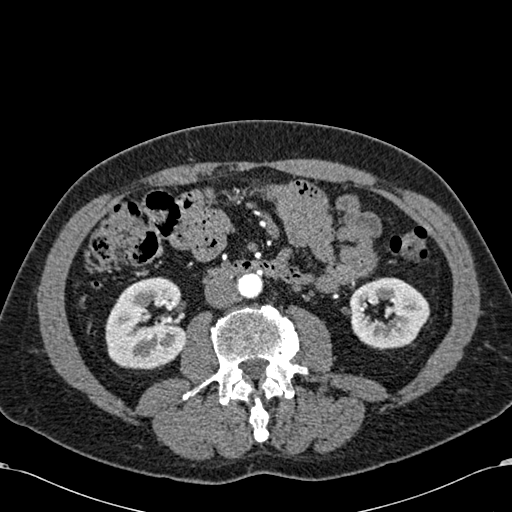
One axial slice (288 of 581, counting up from the lowest) of an arterial-phase abdominal CT acquired with 120 kVp, kernel B30f; each pixel is 0.713 mm and the slice is 1.00 mm thick.
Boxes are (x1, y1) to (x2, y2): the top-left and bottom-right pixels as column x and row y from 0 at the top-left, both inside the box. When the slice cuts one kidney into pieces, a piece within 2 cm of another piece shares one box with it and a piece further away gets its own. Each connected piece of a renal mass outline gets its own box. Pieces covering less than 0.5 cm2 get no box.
Two kidney boxes on this slice; by box centre, from the image's left to its right: (1) Right kidney from (105, 277) to (187, 368) (outlined area 5,903 px, about 30.0 cm2). (2) Left kidney, box (349, 277) to (429, 349) (outlined area 4,277 px, about 21.7 cm2). This slice carries no renal mass outline.